Contrast-enhanced abdominal CT, axial slice 101 of 197 (counted from the lowest slice); tube voltage 120 kVp, convolution kernel I30f; slices 5.00 mm thick, 0.791 mm per pixel.
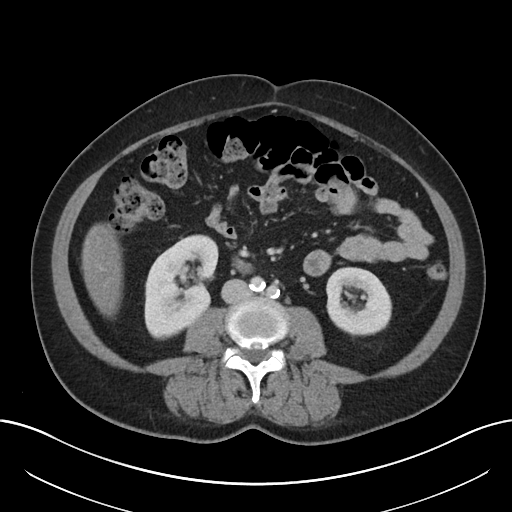
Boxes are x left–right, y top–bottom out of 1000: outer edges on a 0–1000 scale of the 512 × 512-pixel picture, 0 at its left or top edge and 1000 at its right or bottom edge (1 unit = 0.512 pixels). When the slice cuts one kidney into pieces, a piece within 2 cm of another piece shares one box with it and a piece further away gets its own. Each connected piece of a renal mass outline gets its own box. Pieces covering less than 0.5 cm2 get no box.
Two kidney boxes on this slice; by box centre, from the image's left to its right: (1) Box x 281–428, y 457–664 out of 1000: right kidney (outlined area 5,669 px, about 35.5 cm2). (2) Box x 637–768, y 520–658 out of 1000: left kidney (outlined area 3,684 px, about 23.1 cm2). No renal mass is outlined on this slice.